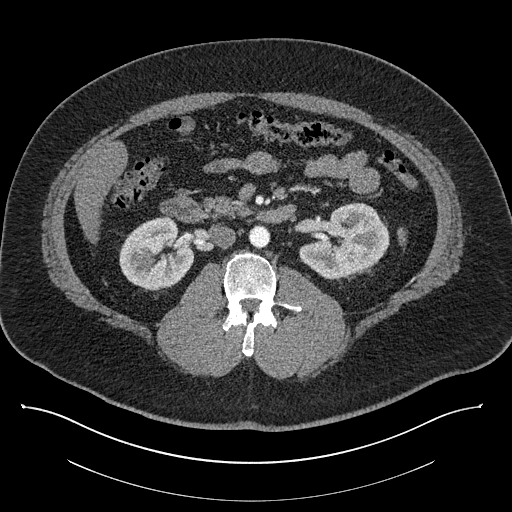
Axial slice 478 of 787 of a contrast-enhanced abdominal CT (slice 1 is the lowest), 140 kVp, kernel I30f; 1.00 mm slice thickness and 0.910 mm pixels.
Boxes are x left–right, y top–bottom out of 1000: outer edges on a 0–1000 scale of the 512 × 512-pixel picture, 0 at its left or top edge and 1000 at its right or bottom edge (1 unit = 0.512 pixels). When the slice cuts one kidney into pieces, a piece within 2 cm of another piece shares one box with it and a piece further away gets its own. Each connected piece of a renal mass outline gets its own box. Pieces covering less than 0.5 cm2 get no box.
Boxed on this slice (two kidney boxes), listed by box centre from the image's left to its right: (1) Box x 232–379, y 422–568 out of 1000: right kidney (outlined area 4,095 px, about 33.9 cm2). (2) Left kidney at x 584–762, y 395–547 out of 1000 (outlined area 4,834 px, about 40.0 cm2). No renal mass is outlined on this slice.